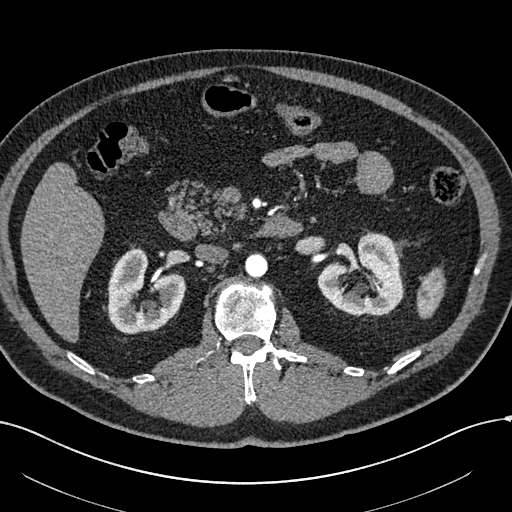
Abdominal CT with intravenous contrast, arterial phase, axial plane, 120 kVp, kernel I30f. Slice 358/602 from the bottom of the scan; thickness 1.00 mm; pixel size 0.799 mm.
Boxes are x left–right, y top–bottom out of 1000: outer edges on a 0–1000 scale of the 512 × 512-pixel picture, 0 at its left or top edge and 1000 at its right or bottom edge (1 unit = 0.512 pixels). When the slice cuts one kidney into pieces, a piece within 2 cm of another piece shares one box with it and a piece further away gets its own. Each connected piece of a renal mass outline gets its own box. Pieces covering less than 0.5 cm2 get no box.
Two boxes on this slice (two kidney boxes), listed by box centre from the image's left to its right. (1) Box x 209–363, y 484–654 out of 1000: right kidney (outlined area 4,570 px, about 29.2 cm2). (2) Left kidney, box x 619–789, y 455–617 out of 1000 (outlined area 4,805 px, about 30.7 cm2). No renal mass outline on this slice.